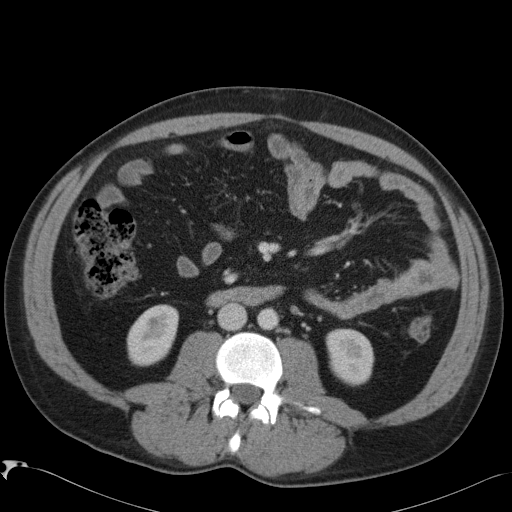
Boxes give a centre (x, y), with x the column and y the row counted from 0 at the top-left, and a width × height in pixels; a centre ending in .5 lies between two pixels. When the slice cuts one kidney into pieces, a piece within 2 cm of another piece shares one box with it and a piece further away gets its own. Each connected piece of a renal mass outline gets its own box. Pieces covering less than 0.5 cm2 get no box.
Slice 48/88 of a contrast-enhanced abdominal CT in the arterial phase, counting up from the lowest; pixel size 0.723 mm, slice thickness 5.00 mm. Two boxes on this slice (two kidney boxes), listed by box centre from the image's left to its right. (1) Right kidney in a box with centre (152, 335), 53 × 63 pixels (outlined area 2,446 px, about 12.8 cm2). (2) Left kidney, box centre (349, 357), 49 × 59 pixels (outlined area 2,229 px, about 11.6 cm2). No renal mass outline on this slice.
Scan settings: 120 kVp, B41f reconstruction kernel.